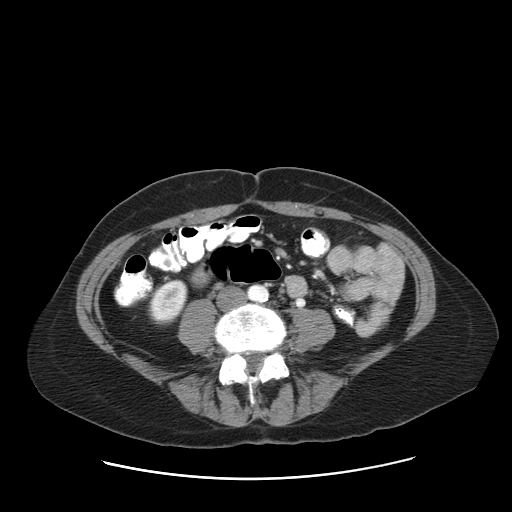
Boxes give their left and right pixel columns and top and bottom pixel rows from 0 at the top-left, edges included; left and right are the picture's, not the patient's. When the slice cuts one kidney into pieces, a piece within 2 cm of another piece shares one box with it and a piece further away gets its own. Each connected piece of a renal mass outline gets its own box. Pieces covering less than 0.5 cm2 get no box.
Slice 39/83 of a contrast-enhanced abdominal CT in the arterial phase, counting up from the lowest; pixel size 0.775 mm, slice thickness 5.00 mm. Right kidney in the box with left 148, top 279, right 187, bottom 323 (outlined area 1,354 px, about 8.1 cm2). No renal mass outline on this slice.
Scan settings: 120 kVp, STANDARD reconstruction kernel.